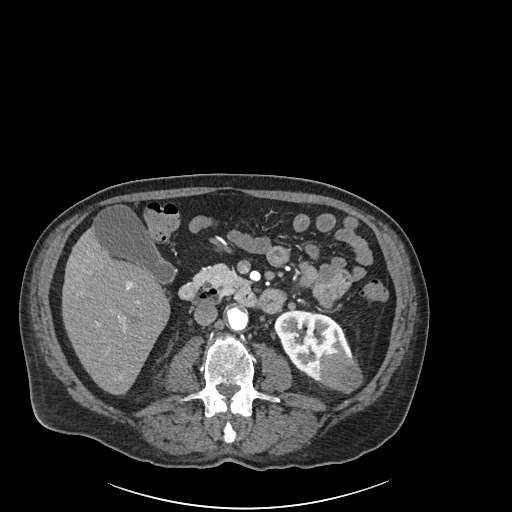
Arterial-phase contrast-enhanced abdominal CT, axial slice 91 of 261 (counted from the lowest slice); tube voltage 120 kVp, convolution kernel I30f; slices 2.00 mm thick, 0.939 mm per pixel.
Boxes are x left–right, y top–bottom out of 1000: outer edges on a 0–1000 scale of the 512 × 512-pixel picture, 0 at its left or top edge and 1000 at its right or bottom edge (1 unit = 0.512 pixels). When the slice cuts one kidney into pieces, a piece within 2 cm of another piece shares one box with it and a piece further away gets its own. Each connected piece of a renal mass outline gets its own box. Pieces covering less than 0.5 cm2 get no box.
Two boxes on this slice (one kidney box and one renal mass box), listed by box centre from the image's left to its right. (1) Left kidney at x 535–691, y 605–748 out of 1000 (outlined area 3,291 px, about 29.0 cm2). (2) Box x 623–709, y 688–768 out of 1000: left renal mass (outlined area 1,398 px, about 12.3 cm2).